Axial slice 9 of 49 of a contrast-enhanced abdominal CT in the arterial phase (slice 1 is the lowest), 120 kVp, kernel B31f; 5.00 mm slice thickness and 0.691 mm pixels.
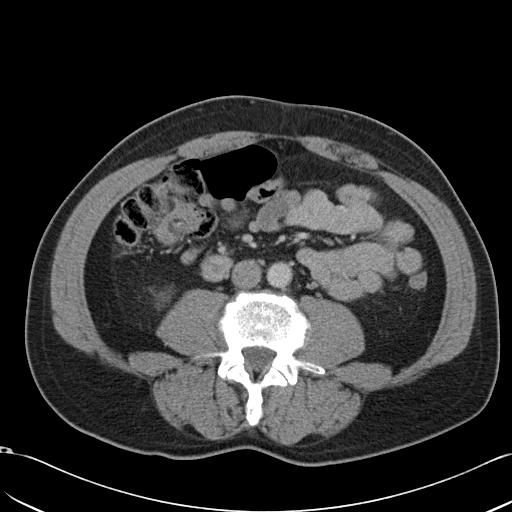
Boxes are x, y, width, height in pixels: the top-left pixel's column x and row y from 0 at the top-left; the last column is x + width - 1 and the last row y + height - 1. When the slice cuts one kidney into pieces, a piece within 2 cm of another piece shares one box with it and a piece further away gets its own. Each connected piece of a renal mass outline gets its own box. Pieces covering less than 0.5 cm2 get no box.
Right kidney, box x 156, y 289, width 17, height 21 (outlined area 186 px, about 0.9 cm2). This slice carries no renal mass outline.